Abdominal CT with intravenous contrast, arterial phase, axial plane, 120 kVp, kernel STANDARD. Slice 255/349 from the bottom of the scan; thickness 1.25 mm; pixel size 0.742 mm.
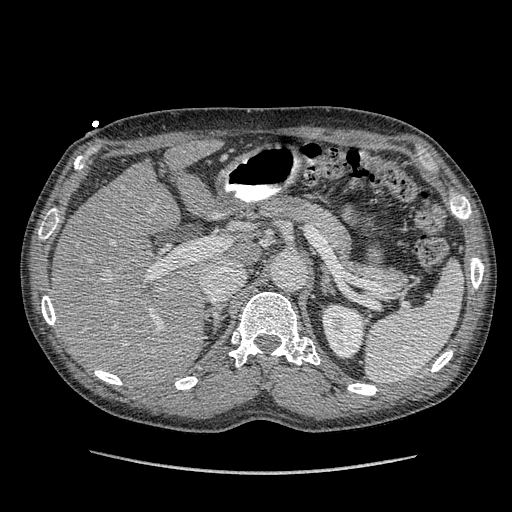
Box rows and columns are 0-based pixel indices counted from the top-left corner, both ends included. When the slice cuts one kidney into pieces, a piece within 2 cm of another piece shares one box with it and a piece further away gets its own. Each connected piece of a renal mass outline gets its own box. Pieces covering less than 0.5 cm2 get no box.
Box rows 303–360, columns 322–366: left kidney (outlined area 1,950 px, about 10.7 cm2). No renal mass outline on this slice.